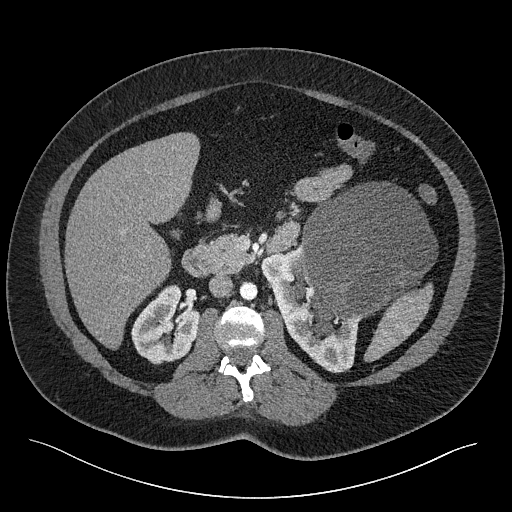
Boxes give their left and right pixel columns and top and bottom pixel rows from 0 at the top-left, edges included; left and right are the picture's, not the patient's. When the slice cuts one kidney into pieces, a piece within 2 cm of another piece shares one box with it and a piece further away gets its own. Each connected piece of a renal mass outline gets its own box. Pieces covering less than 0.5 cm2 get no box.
Slice 135/301 of a contrast-enhanced abdominal CT, counting up from the lowest; pixel size 0.859 mm, slice thickness 2.00 mm. Two kidney boxes and one renal mass box on this slice; by box centre, from the image's left to its right: (1) Right kidney, the box with left 131, top 284, right 200, bottom 364 (outlined area 3,806 px, about 28.1 cm2). (2) Left kidney, the box with left 261, top 244, right 361, bottom 373 (outlined area 4,575 px, about 33.8 cm2). (3) Box with left 295, top 181, right 437, bottom 335: left renal mass (outlined area 15,074 px, about 111.3 cm2).
Scan settings: 120 kVp, I40f reconstruction kernel.